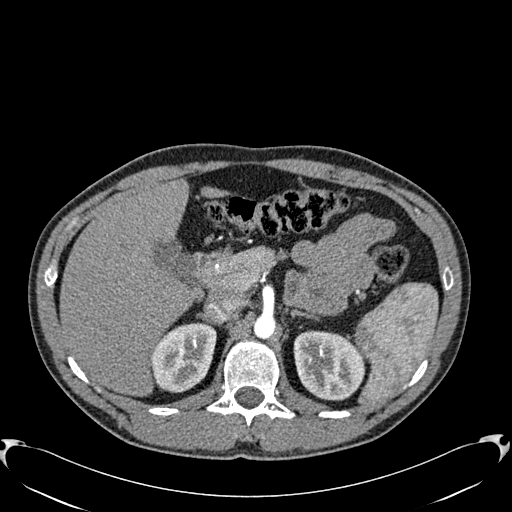
Arterial-phase contrast-enhanced abdominal CT, axial slice 414 of 512 (counted from the lowest slice); tube voltage 120 kVp, convolution kernel B30f; slices 1.00 mm thick, 0.771 mm per pixel.
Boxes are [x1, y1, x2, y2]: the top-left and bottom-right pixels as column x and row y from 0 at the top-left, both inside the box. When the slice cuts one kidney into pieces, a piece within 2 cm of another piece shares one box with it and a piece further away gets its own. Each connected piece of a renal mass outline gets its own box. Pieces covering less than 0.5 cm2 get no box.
Two boxes on this slice (two kidney boxes), listed by box centre from the image's left to its right. (1) Box [150, 322, 216, 392]: right kidney (outlined area 3,531 px, about 21.0 cm2). (2) Box [293, 330, 365, 400]: left kidney (outlined area 4,010 px, about 23.9 cm2). No renal mass is outlined on this slice.